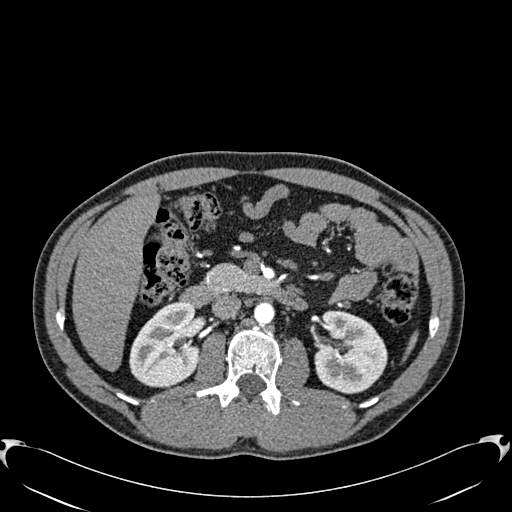
Abdominal CT with intravenous contrast, arterial phase, axial plane, 120 kVp, kernel B30f. Slice 355/512 from the bottom of the scan; thickness 1.00 mm; pixel size 0.771 mm.
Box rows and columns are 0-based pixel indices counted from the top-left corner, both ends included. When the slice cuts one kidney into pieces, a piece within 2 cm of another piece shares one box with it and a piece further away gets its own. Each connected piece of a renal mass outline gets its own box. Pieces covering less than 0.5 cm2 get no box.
Two boxes on this slice (two kidney boxes), listed by box centre from the image's left to its right. (1) Right kidney, box rows 301–387, columns 129–199 (outlined area 4,555 px, about 27.1 cm2). (2) Left kidney at rows 310–394, columns 314–387 (outlined area 4,685 px, about 27.9 cm2). No renal mass outline on this slice.